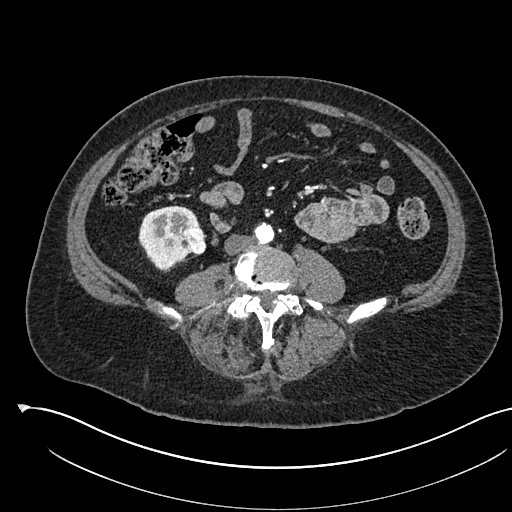
Axial slice 206 of 541 of a contrast-enhanced abdominal CT in the arterial phase (slice 1 is the lowest), 120 kVp, kernel I30f; 1.00 mm slice thickness and 0.834 mm pixels.
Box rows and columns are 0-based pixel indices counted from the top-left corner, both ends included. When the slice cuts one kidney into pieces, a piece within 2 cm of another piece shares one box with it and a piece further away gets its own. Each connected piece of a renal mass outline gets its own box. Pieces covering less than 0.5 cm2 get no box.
Boxed on this slice (one kidney box and one renal mass box), listed by box centre from the image's left to its right: (1) Right kidney at rows 205–272, columns 138–200 (outlined area 2,705 px, about 18.8 cm2). (2) Box rows 228–253, columns 181–206: right renal mass (outlined area 535 px, about 3.7 cm2).